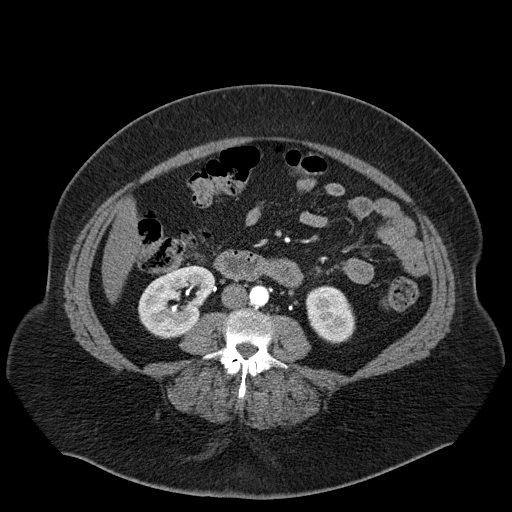
Axial slice 27 of 55 of a contrast-enhanced abdominal CT (slice 1 is the lowest), 120 kVp, kernel B30f; 5.00 mm slice thickness and 0.908 mm pixels.
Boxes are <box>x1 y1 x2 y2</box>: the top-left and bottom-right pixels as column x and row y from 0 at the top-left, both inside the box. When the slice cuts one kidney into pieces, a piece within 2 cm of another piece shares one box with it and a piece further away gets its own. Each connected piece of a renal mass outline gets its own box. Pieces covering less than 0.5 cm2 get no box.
Boxed on this slice (two kidney boxes), listed by box centre from the image's left to its right: (1) At <box>138 265 215 338</box>: right kidney (outlined area 3,872 px, about 31.9 cm2). (2) Left kidney at <box>305 285 355 343</box> (outlined area 2,226 px, about 18.4 cm2). This slice carries no renal mass outline.